Axial slice 422 of 634 of a contrast-enhanced abdominal CT in the arterial phase (slice 1 is the lowest), 120 kVp, kernel B20f; 1.00 mm slice thickness and 0.838 mm pixels.
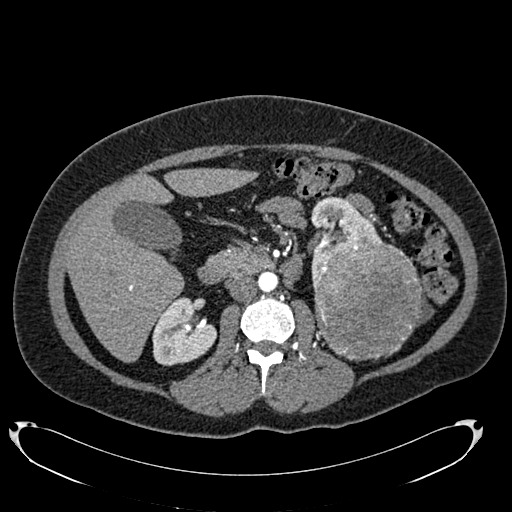
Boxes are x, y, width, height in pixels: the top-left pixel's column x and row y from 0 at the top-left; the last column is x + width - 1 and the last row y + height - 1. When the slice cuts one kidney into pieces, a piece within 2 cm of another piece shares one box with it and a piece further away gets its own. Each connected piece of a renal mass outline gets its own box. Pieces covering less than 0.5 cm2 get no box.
Three boxes on this slice (two kidney boxes and one renal mass box), listed by box centre from the image's left to its right. (1) Right kidney, box x 152, y 297, width 65, height 69 (outlined area 3,192 px, about 22.4 cm2). (2) Box x 310, y 196, width 73, height 85: left kidney (outlined area 3,150 px, about 22.1 cm2). (3) Left renal mass, box x 312, y 242, width 111, height 119 (outlined area 10,359 px, about 72.7 cm2).